Contrast-enhanced abdominal CT, axial slice 132 of 178 (counted from the lowest slice); tube voltage 100 kVp, convolution kernel I30f; slices 5.00 mm thick, 0.650 mm per pixel.
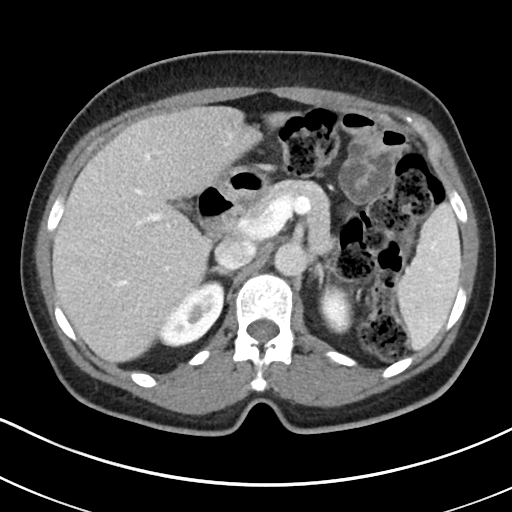
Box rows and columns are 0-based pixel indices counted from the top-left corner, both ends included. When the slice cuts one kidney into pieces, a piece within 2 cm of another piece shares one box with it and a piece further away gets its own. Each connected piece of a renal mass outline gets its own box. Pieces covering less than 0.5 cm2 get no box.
Two boxes on this slice (two kidney boxes), listed by box centre from the image's left to its right. (1) Right kidney, box rows 280–347, columns 158–224 (outlined area 2,793 px, about 11.8 cm2). (2) Left kidney, box rows 282–334, columns 318–353 (outlined area 1,447 px, about 6.1 cm2). No renal mass is outlined on this slice.